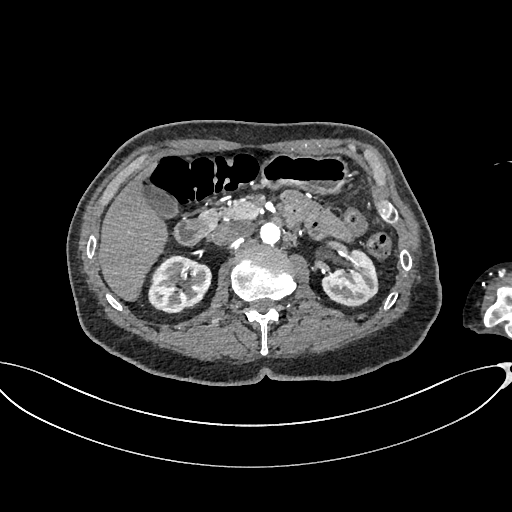
Arterial-phase contrast-enhanced abdominal CT, axial slice 415 of 665 (counted from the lowest slice); tube voltage 100 kVp, convolution kernel I26f; slices 1.00 mm thick, 0.828 mm per pixel.
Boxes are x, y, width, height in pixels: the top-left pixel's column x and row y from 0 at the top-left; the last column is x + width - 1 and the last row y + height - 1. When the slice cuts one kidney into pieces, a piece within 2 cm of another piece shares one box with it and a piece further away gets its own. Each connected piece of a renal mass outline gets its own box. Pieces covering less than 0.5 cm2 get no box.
Two kidney boxes on this slice; by box centre, from the image's left to its right: (1) Right kidney, box x 148, y 255, width 64, height 59 (outlined area 2,854 px, about 19.6 cm2). (2) Box x 321, y 249, width 58, height 59: left kidney (outlined area 2,326 px, about 16.0 cm2). No renal mass is outlined on this slice.